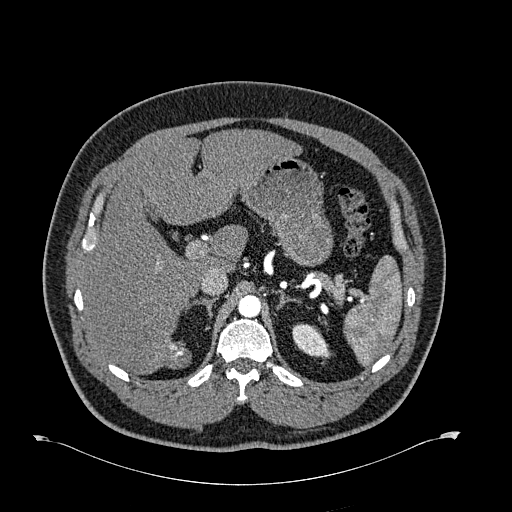
Arterial-phase contrast-enhanced abdominal CT, axial slice 487 of 723 (counted from the lowest slice); tube voltage 120 kVp, convolution kernel B30f; slices 1.00 mm thick, 0.895 mm per pixel.
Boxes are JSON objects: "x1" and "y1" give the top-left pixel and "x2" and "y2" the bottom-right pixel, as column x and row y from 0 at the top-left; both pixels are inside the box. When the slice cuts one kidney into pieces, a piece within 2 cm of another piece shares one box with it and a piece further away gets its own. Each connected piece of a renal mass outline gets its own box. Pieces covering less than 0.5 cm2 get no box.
Left kidney, box {"x1": 292, "y1": 323, "x2": 330, "y2": 361} (outlined area 954 px, about 7.6 cm2). This slice carries no renal mass outline.